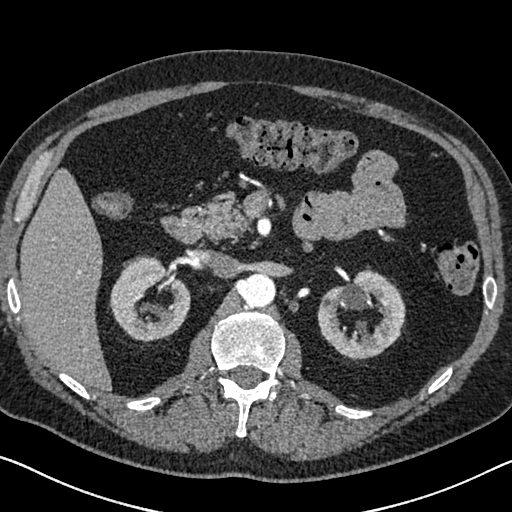
Arterial-phase contrast-enhanced abdominal CT, axial slice 434 of 626 (counted from the lowest slice); tube voltage 120 kVp, convolution kernel I30f; slices 1.00 mm thick, 0.703 mm per pixel.
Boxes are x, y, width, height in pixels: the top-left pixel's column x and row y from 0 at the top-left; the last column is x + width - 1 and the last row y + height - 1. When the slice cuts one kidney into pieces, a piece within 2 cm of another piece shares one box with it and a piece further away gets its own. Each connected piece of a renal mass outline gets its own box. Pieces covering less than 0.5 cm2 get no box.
Two boxes on this slice (two kidney boxes), listed by box centre from the image's left to its right. (1) Right kidney at x 109, y 255, width 82, height 88 (outlined area 4,748 px, about 23.5 cm2). (2) Left kidney, box x 317, y 267, width 89, height 94 (outlined area 5,180 px, about 25.6 cm2). No renal mass is outlined on this slice.